One axial slice (394 of 527, counting up from the lowest) of an arterial-phase abdominal CT acquired with 120 kVp, kernel I30f; each pixel is 0.859 mm and the slice is 1.00 mm thick.
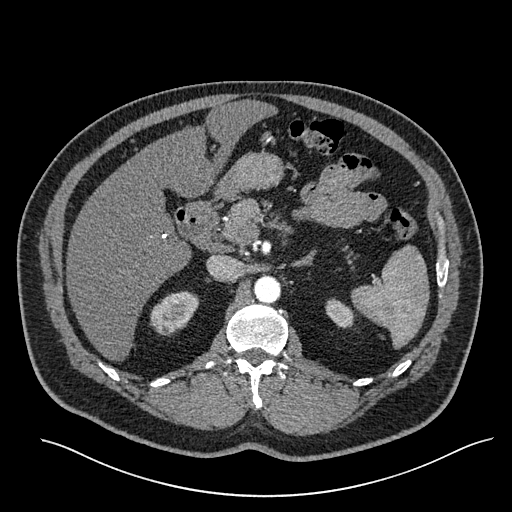
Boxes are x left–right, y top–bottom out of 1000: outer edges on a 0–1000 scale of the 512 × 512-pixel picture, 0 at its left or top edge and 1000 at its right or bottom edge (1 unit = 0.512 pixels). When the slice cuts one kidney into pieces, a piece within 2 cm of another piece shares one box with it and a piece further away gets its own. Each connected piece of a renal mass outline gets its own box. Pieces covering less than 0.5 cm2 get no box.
Two boxes on this slice (two kidney boxes), listed by box centre from the image's left to its right. (1) Right kidney at x 291–389, y 568–658 out of 1000 (outlined area 1,539 px, about 11.4 cm2). (2) Left kidney, box x 635–693, y 582–641 out of 1000 (outlined area 611 px, about 4.5 cm2). No renal mass outline on this slice.